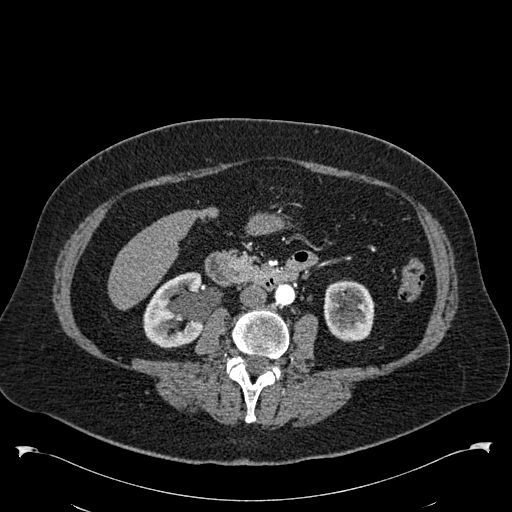
Arterial-phase contrast-enhanced abdominal CT, axial slice 272 of 538 (counted from the lowest slice); tube voltage 120 kVp, convolution kernel B30f; slices 1.00 mm thick, 0.811 mm per pixel.
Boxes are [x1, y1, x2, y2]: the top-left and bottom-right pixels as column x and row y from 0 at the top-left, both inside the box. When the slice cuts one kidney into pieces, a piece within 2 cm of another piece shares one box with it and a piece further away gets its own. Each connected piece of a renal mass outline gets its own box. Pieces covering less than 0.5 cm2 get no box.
Two boxes on this slice (two kidney boxes), listed by box centre from the image's left to its right. (1) Right kidney at [143, 272, 202, 348] (outlined area 3,502 px, about 23.0 cm2). (2) Left kidney at [323, 280, 374, 341] (outlined area 2,619 px, about 17.2 cm2). No renal mass outline on this slice.